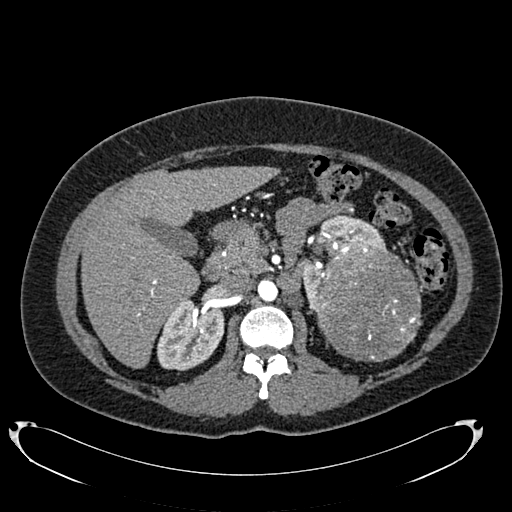
Axial slice 460 of 634 of a contrast-enhanced abdominal CT in the arterial phase (slice 1 is the lowest), 120 kVp, kernel B20f; 1.00 mm slice thickness and 0.838 mm pixels.
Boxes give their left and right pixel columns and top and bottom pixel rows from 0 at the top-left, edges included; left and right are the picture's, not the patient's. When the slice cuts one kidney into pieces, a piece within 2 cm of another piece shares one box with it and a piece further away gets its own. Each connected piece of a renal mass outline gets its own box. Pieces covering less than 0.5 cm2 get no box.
Three boxes on this slice (two kidney boxes and one renal mass box), listed by box centre from the image's left to its right. (1) Right kidney, the box with left 157, top 296, right 224, bottom 370 (outlined area 3,709 px, about 26.0 cm2). (2) Left kidney, the box with left 300, top 214, right 385, bottom 312 (outlined area 2,573 px, about 18.1 cm2). (3) Left renal mass, the box with left 313, top 241, right 422, bottom 361 (outlined area 10,290 px, about 72.2 cm2).